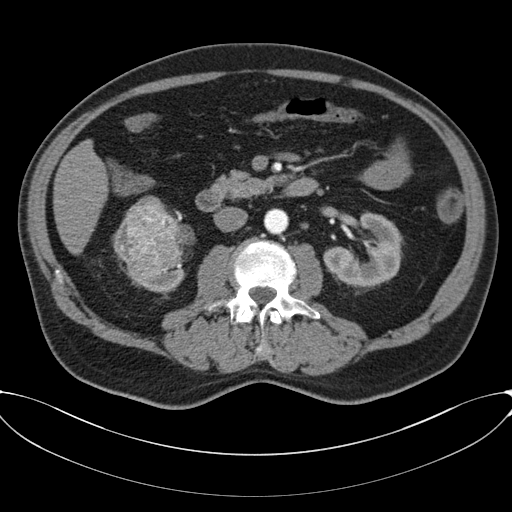
One axial slice (32 of 80, counting up from the lowest) of a contrast-enhanced abdominal CT acquired with 120 kVp, kernel B30f; each pixel is 0.822 mm and the slice is 3.00 mm thick.
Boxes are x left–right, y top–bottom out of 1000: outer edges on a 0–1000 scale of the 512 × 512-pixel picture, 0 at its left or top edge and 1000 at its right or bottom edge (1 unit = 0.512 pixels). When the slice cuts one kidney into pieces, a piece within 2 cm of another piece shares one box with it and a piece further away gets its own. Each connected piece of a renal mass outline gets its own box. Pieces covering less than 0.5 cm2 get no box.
Boxed on this slice (two kidney boxes and one renal mass box), listed by box centre from the image's left to its right: (1) Right kidney, box x 219–361, y 381–570 out of 1000 (outlined area 1,241 px, about 8.4 cm2). (2) Box x 244–383, y 396–551 out of 1000: right renal mass (outlined area 3,964 px, about 26.8 cm2). (3) Left kidney at x 631–789, y 412–568 out of 1000 (outlined area 3,877 px, about 26.2 cm2).